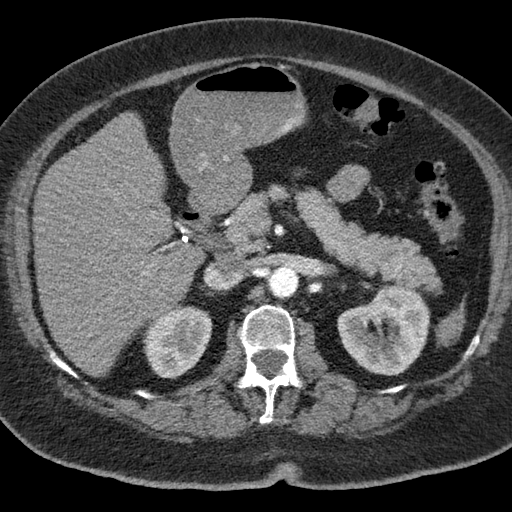
One axial slice (43 of 76, counting up from the lowest) of a contrast-enhanced abdominal CT acquired with 120 kVp, kernel B; each pixel is 0.684 mm and the slice is 3.00 mm thick.
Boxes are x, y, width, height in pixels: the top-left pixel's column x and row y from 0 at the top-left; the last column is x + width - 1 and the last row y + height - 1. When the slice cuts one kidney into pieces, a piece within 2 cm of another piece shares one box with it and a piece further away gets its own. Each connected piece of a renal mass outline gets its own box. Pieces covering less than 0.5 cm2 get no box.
Two boxes on this slice (two kidney boxes), listed by box centre from the image's left to its right. (1) Right kidney at x 142, y 306, width 71, height 73 (outlined area 3,832 px, about 17.9 cm2). (2) Left kidney at x 337, y 284, width 94, height 92 (outlined area 6,043 px, about 28.2 cm2). No renal mass is outlined on this slice.